One axial slice (53 of 76, counting up from the lowest) of a contrast-enhanced abdominal CT acquired with 120 kVp, kernel STANDARD; each pixel is 0.586 mm and the slice is 2.50 mm thick.
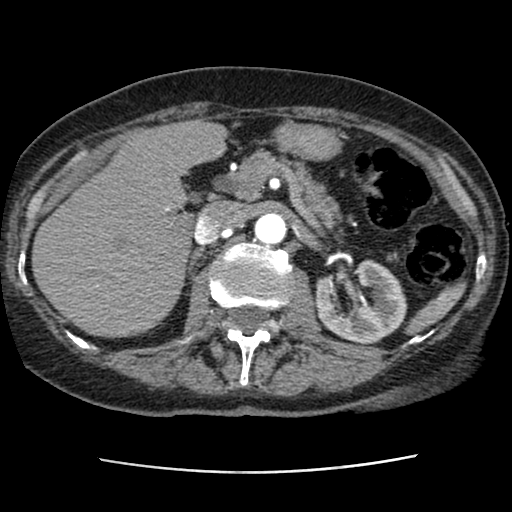
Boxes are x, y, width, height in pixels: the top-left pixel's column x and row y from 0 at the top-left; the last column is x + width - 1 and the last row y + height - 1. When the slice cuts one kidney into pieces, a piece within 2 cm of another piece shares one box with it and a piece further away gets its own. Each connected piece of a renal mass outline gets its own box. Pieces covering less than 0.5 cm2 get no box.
Left kidney, box x 314, y 259, width 94, height 85 (outlined area 5,611 px, about 19.3 cm2). No renal mass is outlined on this slice.